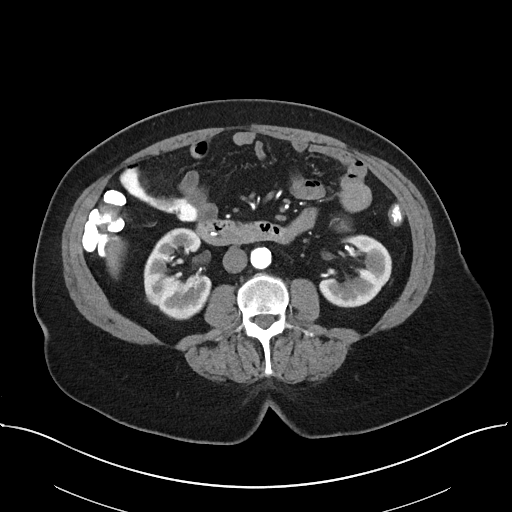
Abdominal CT with intravenous contrast, arterial phase, axial plane, 100 kVp, kernel I40f. Slice 14/38 from the bottom of the scan; thickness 5.00 mm; pixel size 0.822 mm.
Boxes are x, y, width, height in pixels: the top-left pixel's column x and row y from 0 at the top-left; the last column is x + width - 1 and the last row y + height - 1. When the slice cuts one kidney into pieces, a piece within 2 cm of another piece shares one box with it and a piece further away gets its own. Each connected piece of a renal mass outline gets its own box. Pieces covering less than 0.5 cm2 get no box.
Boxed on this slice (two kidney boxes), listed by box centre from the image's left to its right: (1) Right kidney, box x 143, y 227, width 69, height 94 (outlined area 4,374 px, about 29.6 cm2). (2) Left kidney at x 319, y 234, width 73, height 74 (outlined area 3,293 px, about 22.3 cm2). This slice carries no renal mass outline.